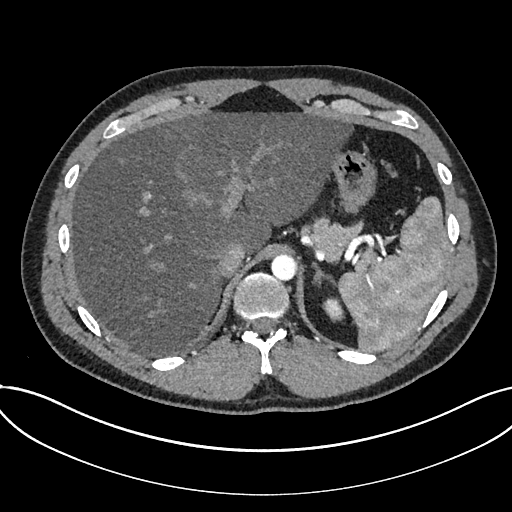
Abdominal CT with intravenous contrast, arterial phase, axial plane, 120 kVp, kernel I30f. Slice 593/735 from the bottom of the scan; thickness 1.00 mm; pixel size 0.789 mm.
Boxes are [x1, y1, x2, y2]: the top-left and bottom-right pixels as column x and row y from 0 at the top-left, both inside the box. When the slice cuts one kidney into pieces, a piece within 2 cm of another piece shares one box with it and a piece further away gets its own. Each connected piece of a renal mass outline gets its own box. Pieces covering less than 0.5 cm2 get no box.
Kidney, box [322, 297, 344, 322] (outlined area 384 px, about 2.4 cm2). This slice carries no renal mass outline.